Axial slice 318 of 670 of a contrast-enhanced abdominal CT in the arterial phase (slice 1 is the lowest), 120 kVp, kernel I30f; 1.00 mm slice thickness and 0.861 mm pixels.
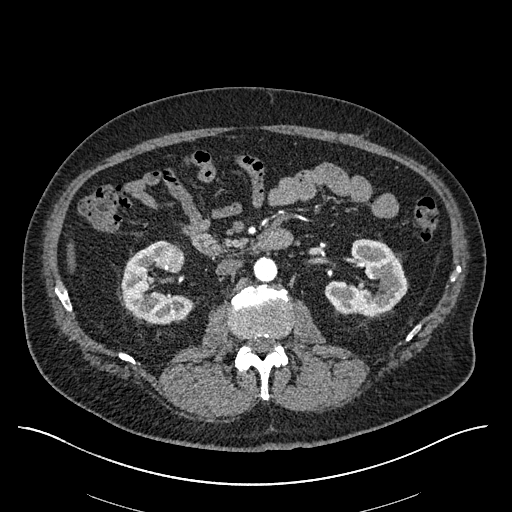
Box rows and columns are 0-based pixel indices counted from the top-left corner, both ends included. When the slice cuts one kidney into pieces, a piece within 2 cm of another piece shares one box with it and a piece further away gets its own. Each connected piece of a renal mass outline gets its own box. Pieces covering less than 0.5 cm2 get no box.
Two kidney boxes and one renal mass box on this slice; by box centre, from the image's left to its right: (1) Box rows 240–324, columns 121–193: right kidney (outlined area 3,456 px, about 25.6 cm2). (2) Right renal mass at rows 244–272, columns 154–185 (outlined area 679 px, about 5.0 cm2). (3) Left kidney at rows 238–315, columns 324–407 (outlined area 4,066 px, about 30.2 cm2).